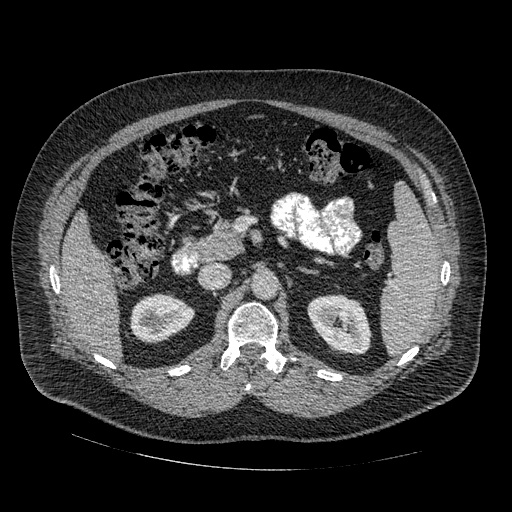
Arterial-phase contrast-enhanced abdominal CT, axial slice 299 of 445 (counted from the lowest slice); tube voltage 120 kVp, convolution kernel STANDARD; slices 1.25 mm thick, 0.863 mm per pixel.
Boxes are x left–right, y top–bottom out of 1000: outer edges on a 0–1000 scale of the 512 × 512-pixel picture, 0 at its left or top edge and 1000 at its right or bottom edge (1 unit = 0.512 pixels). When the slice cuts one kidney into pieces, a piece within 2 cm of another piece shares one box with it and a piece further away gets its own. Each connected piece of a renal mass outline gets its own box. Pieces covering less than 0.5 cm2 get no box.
Two kidney boxes on this slice; by box centre, from the image's left to its right: (1) Right kidney, box x 252–381, y 572–670 out of 1000 (outlined area 2,387 px, about 17.8 cm2). (2) Left kidney, box x 600–727, y 574–693 out of 1000 (outlined area 2,876 px, about 21.4 cm2). This slice carries no renal mass outline.